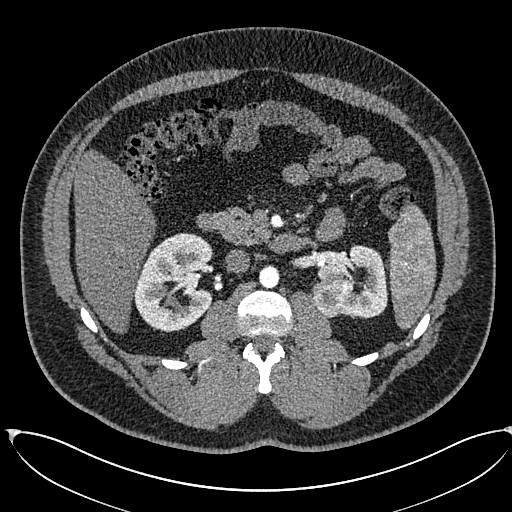
Axial slice 359 of 673 of a contrast-enhanced abdominal CT in the arterial phase (slice 1 is the lowest), 120 kVp, kernel I30f; 1.00 mm slice thickness and 0.855 mm pixels.
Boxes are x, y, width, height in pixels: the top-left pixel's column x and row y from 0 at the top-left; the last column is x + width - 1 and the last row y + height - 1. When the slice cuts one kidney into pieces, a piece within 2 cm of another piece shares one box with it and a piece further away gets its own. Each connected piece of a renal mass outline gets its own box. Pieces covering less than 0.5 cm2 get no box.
Three boxes on this slice (two kidney boxes and one renal mass box), listed by box centre from the image's left to its right. (1) Box x 133, y 233, width 82, height 99: right kidney (outlined area 5,852 px, about 42.8 cm2). (2) Left renal mass, box x 312, y 279, width 41, height 39 (outlined area 1,298 px, about 9.5 cm2). (3) Box x 317, y 244, width 71, height 74: left kidney (outlined area 2,976 px, about 21.8 cm2).